Arterial-phase contrast-enhanced abdominal CT, axial slice 76 of 304 (counted from the lowest slice); tube voltage 100 kVp, convolution kernel I30f; slices 2.00 mm thick, 0.809 mm per pixel.
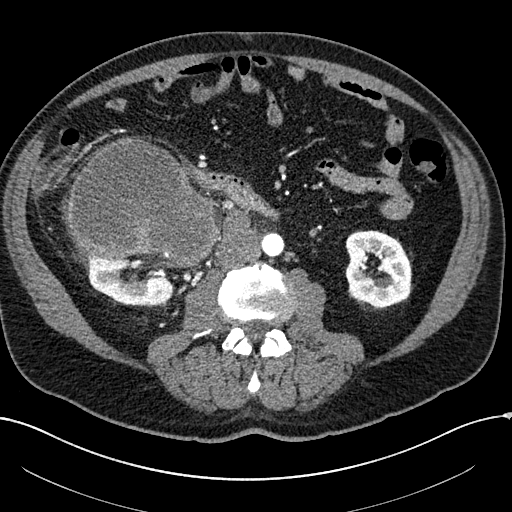
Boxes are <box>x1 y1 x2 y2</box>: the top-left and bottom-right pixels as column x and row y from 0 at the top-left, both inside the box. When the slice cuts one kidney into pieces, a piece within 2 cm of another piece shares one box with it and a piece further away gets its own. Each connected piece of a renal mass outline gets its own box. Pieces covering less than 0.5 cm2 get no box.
Boxed on this slice (two kidney boxes and one renal mass box), listed by box centre from the image's left to its right: (1) Right kidney at <box>87 255 177 305</box> (outlined area 3,494 px, about 22.8 cm2). (2) At <box>66 138 220 268</box>: right renal mass (outlined area 14,488 px, about 94.7 cm2). (3) At <box>345 230 412 307</box>: left kidney (outlined area 4,080 px, about 26.7 cm2).